Arterial-phase contrast-enhanced abdominal CT, axial slice 63 of 261 (counted from the lowest slice); tube voltage 120 kVp, convolution kernel I30f; slices 2.00 mm thick, 0.939 mm per pixel.
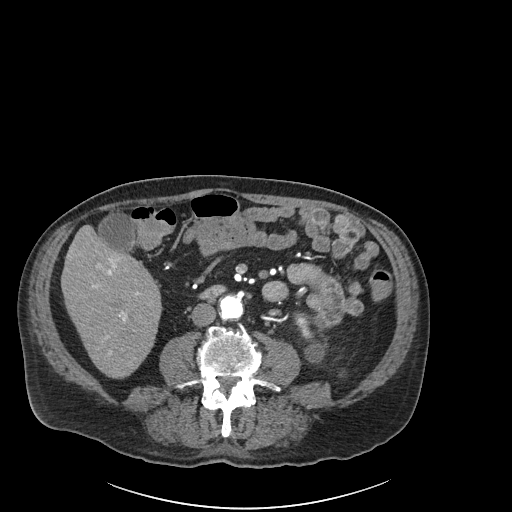
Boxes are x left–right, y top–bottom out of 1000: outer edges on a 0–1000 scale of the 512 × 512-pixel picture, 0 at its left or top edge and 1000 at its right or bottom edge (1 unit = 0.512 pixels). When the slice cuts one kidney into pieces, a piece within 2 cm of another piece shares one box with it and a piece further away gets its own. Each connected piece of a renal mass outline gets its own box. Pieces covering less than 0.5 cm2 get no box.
Left kidney at x 590–639, y 637–711 out of 1000 (outlined area 556 px, about 4.9 cm2).